Abdominal CT with intravenous contrast, arterial phase, axial plane, 120 kVp, kernel B20f. Slice 586/719 from the bottom of the scan; thickness 1.00 mm; pixel size 0.766 mm.
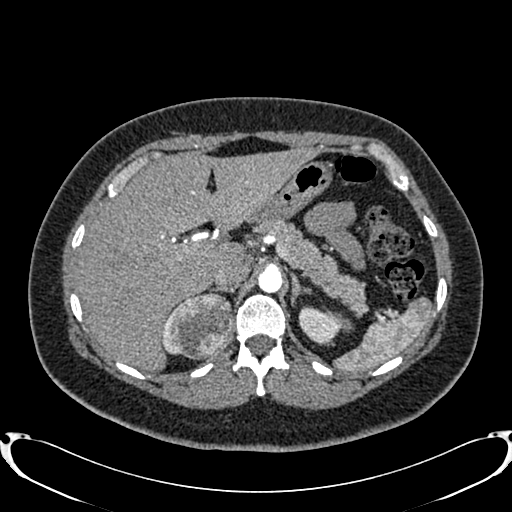
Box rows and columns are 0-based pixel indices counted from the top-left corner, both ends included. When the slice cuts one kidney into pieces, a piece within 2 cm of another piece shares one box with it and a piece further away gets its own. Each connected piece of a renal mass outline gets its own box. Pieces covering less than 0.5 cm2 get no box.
Three boxes on this slice (two kidney boxes and one renal mass box), listed by box centre from the image's left to its right. (1) Box rows 306–354, columns 161–175: right kidney (outlined area 254 px, about 1.5 cm2). (2) Box rows 292–359, columns 167–234: right renal mass (outlined area 3,533 px, about 20.7 cm2). (3) Left kidney, box rows 306–343, columns 298–342 (outlined area 1,228 px, about 7.2 cm2).